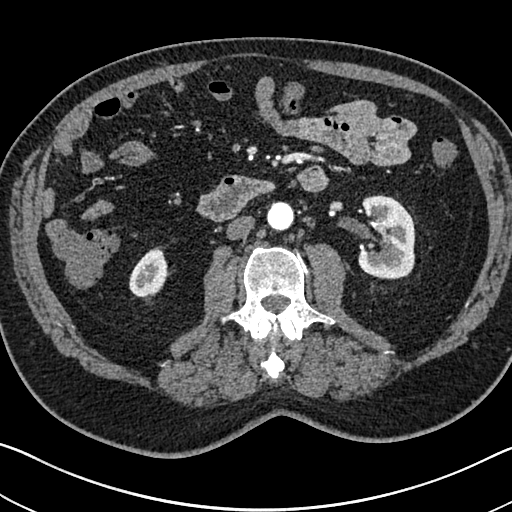
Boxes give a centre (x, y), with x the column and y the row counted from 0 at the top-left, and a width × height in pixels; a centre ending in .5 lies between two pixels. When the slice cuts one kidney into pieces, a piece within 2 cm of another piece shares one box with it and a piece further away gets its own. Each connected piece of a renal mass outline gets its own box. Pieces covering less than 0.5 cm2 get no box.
Slice 366/705 of a contrast-enhanced abdominal CT in the arterial phase, counting up from the lowest; pixel size 0.703 mm, slice thickness 1.00 mm. Two kidney boxes on this slice; by box centre, from the image's left to its right: (1) Right kidney, box centre (148, 272.5), 39 × 50 pixels (outlined area 1,369 px, about 6.8 cm2). (2) Left kidney, box centre (386, 237), 59 × 85 pixels (outlined area 3,988 px, about 19.7 cm2). No renal mass outline on this slice.
Acquired at 120 kVp and reconstructed with the I30f kernel.